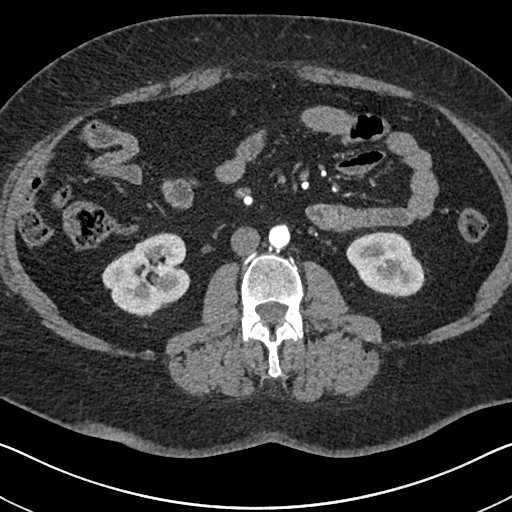
Arterial-phase contrast-enhanced abdominal CT, axial slice 329 of 591 (counted from the lowest slice); tube voltage 140 kVp, convolution kernel I30f; slices 1.00 mm thick, 0.703 mm per pixel.
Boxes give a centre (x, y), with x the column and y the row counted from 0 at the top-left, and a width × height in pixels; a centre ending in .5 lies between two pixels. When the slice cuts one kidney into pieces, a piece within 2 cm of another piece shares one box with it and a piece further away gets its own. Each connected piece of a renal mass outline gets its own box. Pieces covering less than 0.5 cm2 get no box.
Two boxes on this slice (two kidney boxes), listed by box centre from the image's left to its right. (1) Right kidney, box centre (145.5, 274), 90 × 85 pixels (outlined area 5,208 px, about 25.7 cm2). (2) Left kidney, box centre (385.5, 264), 80 × 67 pixels (outlined area 3,782 px, about 18.7 cm2). This slice carries no renal mass outline.